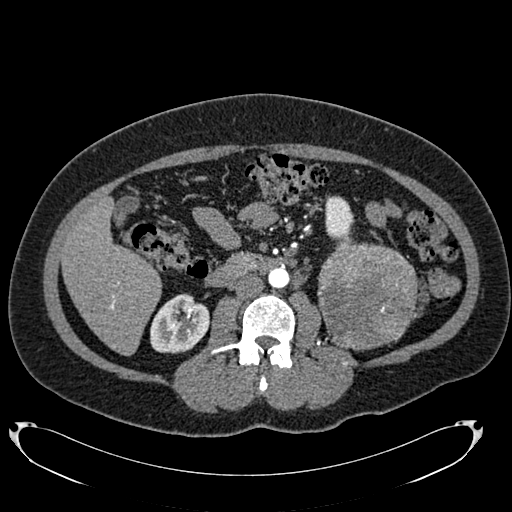
Axial slice 381 of 634 of a contrast-enhanced abdominal CT in the arterial phase (slice 1 is the lowest), 120 kVp, kernel B20f; 1.00 mm slice thickness and 0.838 mm pixels.
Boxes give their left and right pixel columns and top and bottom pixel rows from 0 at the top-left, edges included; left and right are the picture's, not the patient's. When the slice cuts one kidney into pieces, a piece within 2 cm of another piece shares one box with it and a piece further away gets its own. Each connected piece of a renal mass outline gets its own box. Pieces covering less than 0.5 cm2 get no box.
Boxed on this slice (two kidney boxes and one renal mass box), listed by box centre from the image's left to its right: (1) Right kidney, the box with left 150, top 293, right 209, bottom 353 (outlined area 2,703 px, about 19.0 cm2). (2) Box with left 325, top 195, right 354, bottom 239: left kidney (outlined area 1,049 px, about 7.4 cm2). (3) Box with left 317, top 239, right 418, bottom 350: left renal mass (outlined area 8,874 px, about 62.3 cm2).